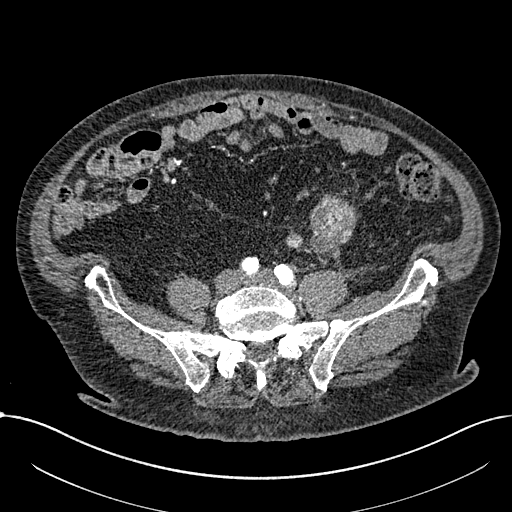
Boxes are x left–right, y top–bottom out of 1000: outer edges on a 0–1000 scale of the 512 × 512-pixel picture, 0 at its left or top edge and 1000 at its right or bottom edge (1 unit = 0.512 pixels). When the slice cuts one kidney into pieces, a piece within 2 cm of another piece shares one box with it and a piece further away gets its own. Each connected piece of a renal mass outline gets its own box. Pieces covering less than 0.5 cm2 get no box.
Slice 170/1059 of a contrast-enhanced abdominal CT in the arterial phase, counting up from the lowest; pixel size 0.811 mm, slice thickness 1.00 mm. Two boxes on this slice (two renal mass boxes), listed by box centre from the image's left to its right. (1) Box x 557–592, y 449–488 out of 1000: renal mass (outlined area 252 px, about 1.7 cm2); this slice has no kidney outline, though on another slice the same outlined renal mass lies within 1 cm of the kidney. (2) Box x 604–699, y 377–516 out of 1000: renal mass (outlined area 2,354 px, about 15.5 cm2); no kidney outline appears on this slice, but the same outlined renal mass comes within 1 cm of the kidney on another slice.
Acquired at 100 kVp and reconstructed with the I30f kernel.